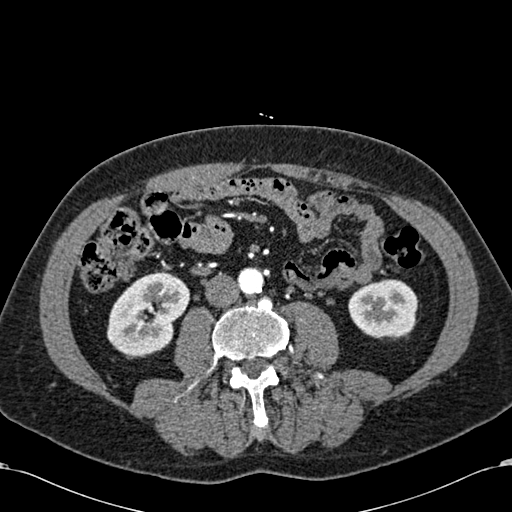
Abdominal CT with intravenous contrast, arterial phase, axial plane, 120 kVp, kernel B30f. Slice 254/581 from the bottom of the scan; thickness 1.00 mm; pixel size 0.713 mm.
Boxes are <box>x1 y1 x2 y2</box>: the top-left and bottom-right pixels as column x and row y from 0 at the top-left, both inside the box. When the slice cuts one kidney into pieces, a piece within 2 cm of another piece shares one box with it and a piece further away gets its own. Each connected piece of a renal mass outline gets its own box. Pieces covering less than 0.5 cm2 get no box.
Boxed on this slice (two kidney boxes), listed by box centre from the image's left to its right: (1) At <box>107 271 190 357</box>: right kidney (outlined area 5,020 px, about 25.5 cm2). (2) At <box>348 279 418 338</box>: left kidney (outlined area 3,311 px, about 16.8 cm2). This slice carries no renal mass outline.